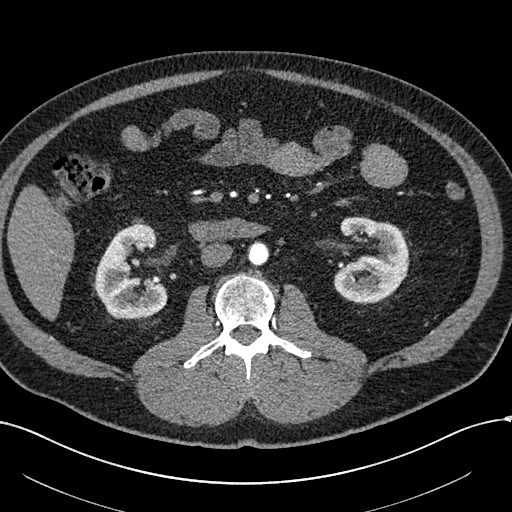
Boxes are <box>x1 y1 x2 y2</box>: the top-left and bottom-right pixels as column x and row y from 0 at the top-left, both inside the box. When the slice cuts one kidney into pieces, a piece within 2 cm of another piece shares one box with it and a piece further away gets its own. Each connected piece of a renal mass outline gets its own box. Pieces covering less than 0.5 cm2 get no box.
Arterial-phase contrast-enhanced abdominal CT, axial slice 293 of 602 (counted from the lowest slice); 1.00 mm thick, 0.799 mm per pixel. Two kidney boxes on this slice; by box centre, from the image's left to its right: (1) At <box>92 222 168 320</box>: right kidney (outlined area 4,876 px, about 31.1 cm2). (2) Left kidney: <box>333 216 409 303</box> (outlined area 4,784 px, about 30.5 cm2). No renal mass outline on this slice.
Acquired at 120 kVp and reconstructed with the I30f kernel.